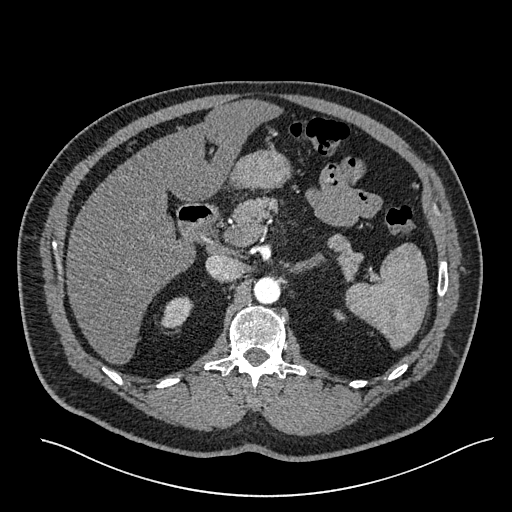
One axial slice (403 of 527, counting up from the lowest) of an arterial-phase abdominal CT acquired with 120 kVp, kernel I30f; each pixel is 0.859 mm and the slice is 1.00 mm thick.
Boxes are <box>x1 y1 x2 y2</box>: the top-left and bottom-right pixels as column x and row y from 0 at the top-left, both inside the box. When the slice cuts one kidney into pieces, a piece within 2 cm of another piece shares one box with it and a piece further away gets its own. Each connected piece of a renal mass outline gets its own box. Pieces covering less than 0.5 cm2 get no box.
Two kidney boxes on this slice; by box centre, from the image's left to its right: (1) Right kidney at <box>161 296 193 328</box> (outlined area 747 px, about 5.5 cm2). (2) Left kidney: <box>334 309 345 320</box> (outlined area 102 px, about 0.8 cm2). No renal mass outline on this slice.